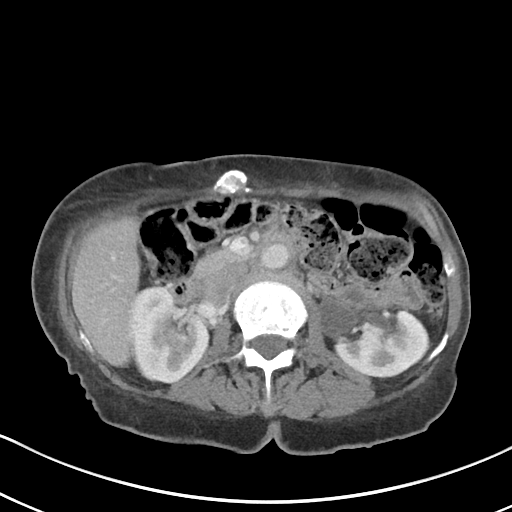
Axial slice 57 of 80 of a contrast-enhanced abdominal CT in the arterial phase (slice 1 is the lowest), 100 kVp, kernel I40f; 5.00 mm slice thickness and 0.648 mm pixels.
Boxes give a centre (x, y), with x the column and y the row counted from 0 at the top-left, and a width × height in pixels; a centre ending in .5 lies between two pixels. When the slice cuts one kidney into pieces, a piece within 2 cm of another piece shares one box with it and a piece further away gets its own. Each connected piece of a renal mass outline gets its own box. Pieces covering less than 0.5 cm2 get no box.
Two kidney boxes on this slice; by box centre, from the image's left to its right: (1) Right kidney, box centre (169.5, 334.5), 76 × 96 pixels (outlined area 5,187 px, about 21.8 cm2). (2) Left kidney, box centre (374, 336.5), 107 × 80 pixels (outlined area 5,020 px, about 21.1 cm2). This slice carries no renal mass outline.